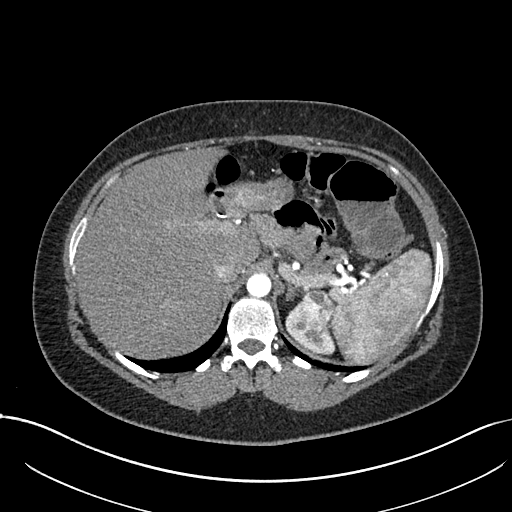
Axial slice 560 of 738 of a contrast-enhanced abdominal CT in the arterial phase (slice 1 is the lowest), 120 kVp, kernel I30f; 1.00 mm slice thickness and 0.789 mm pixels.
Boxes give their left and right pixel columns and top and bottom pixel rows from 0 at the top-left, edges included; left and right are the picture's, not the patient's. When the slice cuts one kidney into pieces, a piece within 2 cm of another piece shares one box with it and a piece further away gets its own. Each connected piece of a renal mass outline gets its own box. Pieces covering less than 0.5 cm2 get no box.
Two boxes on this slice (one kidney box and one renal mass box), listed by box centre from the image's left to its right. (1) Left kidney, the box with left 285, top 305, right 335, bottom 354 (outlined area 1,096 px, about 6.8 cm2). (2) Left renal mass in the box with left 296, top 290, right 333, bottom 332 (outlined area 1,196 px, about 7.4 cm2).